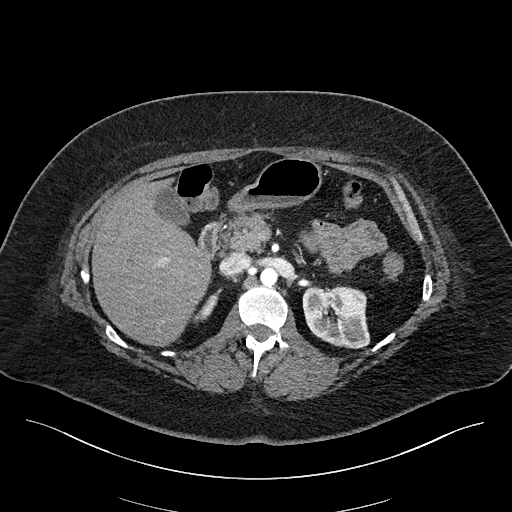
Arterial-phase contrast-enhanced abdominal CT, axial slice 131 of 270 (counted from the lowest slice); tube voltage 100 kVp, convolution kernel I40f; slices 2.00 mm thick, 0.855 mm per pixel.
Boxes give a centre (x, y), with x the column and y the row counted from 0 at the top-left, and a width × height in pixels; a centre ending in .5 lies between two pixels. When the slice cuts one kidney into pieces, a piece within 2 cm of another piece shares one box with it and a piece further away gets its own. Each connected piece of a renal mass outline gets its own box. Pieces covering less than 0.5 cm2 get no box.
Two boxes on this slice (two kidney boxes), listed by box centre from the image's left to its right. (1) Right kidney, box centre (206, 306.5), 23 × 26 pixels (outlined area 299 px, about 2.2 cm2). (2) Left kidney in a box with centre (336, 316.5), 69 × 64 pixels (outlined area 3,460 px, about 25.3 cm2). No renal mass is outlined on this slice.